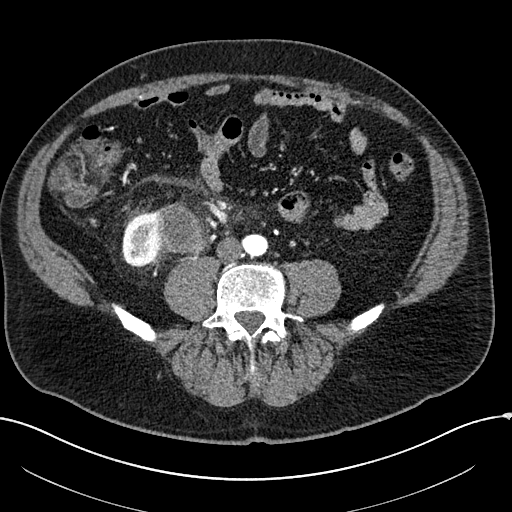
Abdominal CT with intravenous contrast, arterial phase, axial plane, 100 kVp, kernel I30f. Slice 33/304 from the bottom of the scan; thickness 2.00 mm; pixel size 0.809 mm.
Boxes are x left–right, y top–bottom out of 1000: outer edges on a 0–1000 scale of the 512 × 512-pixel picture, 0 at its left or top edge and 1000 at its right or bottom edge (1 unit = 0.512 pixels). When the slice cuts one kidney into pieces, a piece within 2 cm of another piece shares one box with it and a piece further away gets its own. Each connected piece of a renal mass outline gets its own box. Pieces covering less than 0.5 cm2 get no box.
One kidney box and one renal mass box on this slice; by box centre, from the image's left to its right: (1) Right kidney at x 238–326, y 410–523 out of 1000 (outlined area 1,728 px, about 11.3 cm2). (2) Right renal mass at x 303–406, y 396–496 out of 1000 (outlined area 2,128 px, about 13.9 cm2).